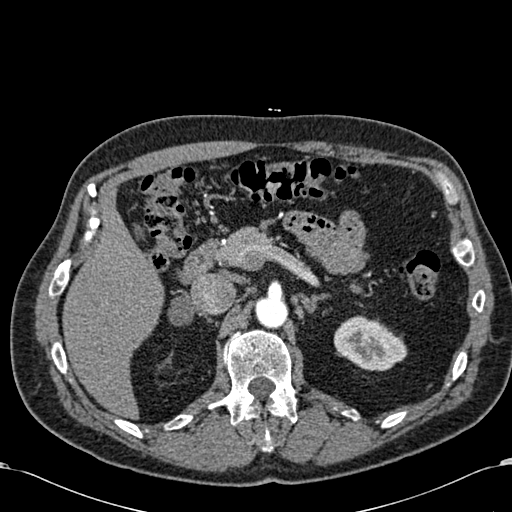
Arterial-phase contrast-enhanced abdominal CT, axial slice 423 of 581 (counted from the lowest slice); tube voltage 120 kVp, convolution kernel B30f; slices 1.00 mm thick, 0.713 mm per pixel.
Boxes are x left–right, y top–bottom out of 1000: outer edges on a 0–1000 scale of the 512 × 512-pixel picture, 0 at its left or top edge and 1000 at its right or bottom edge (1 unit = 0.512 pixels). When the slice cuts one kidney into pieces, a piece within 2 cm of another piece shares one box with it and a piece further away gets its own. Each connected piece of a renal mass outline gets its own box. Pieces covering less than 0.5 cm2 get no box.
Left kidney, box x 650–797, y 615–727 out of 1000 (outlined area 2,890 px, about 14.7 cm2). No renal mass outline on this slice.